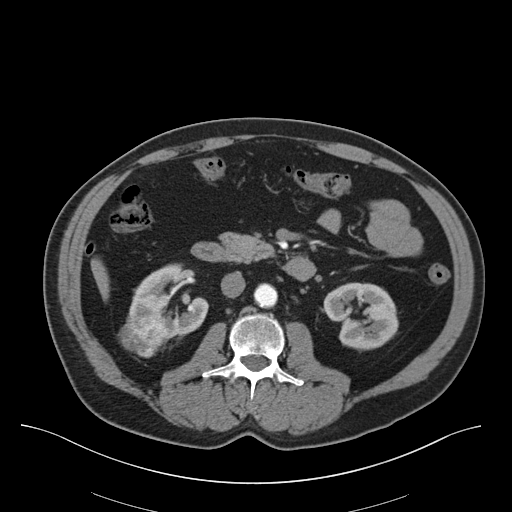
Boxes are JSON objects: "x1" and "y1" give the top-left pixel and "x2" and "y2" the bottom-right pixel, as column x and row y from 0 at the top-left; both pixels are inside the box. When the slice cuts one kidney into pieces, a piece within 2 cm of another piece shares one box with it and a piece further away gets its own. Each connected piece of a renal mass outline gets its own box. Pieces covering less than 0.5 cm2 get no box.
This is axial slice 27 of 75 (slice 1 is the lowest) of an abdominal CT with contrast; each pixel is 0.875 mm and the slice is 3.00 mm thick. Three boxes on this slice (two kidney boxes and one renal mass box), listed by box centre from the image's left to its right. (1) Right renal mass at {"x1": 118, "y1": 313, "x2": 171, "y2": 357} (outlined area 1,692 px, about 13.0 cm2). (2) Box {"x1": 128, "y1": 263, "x2": 209, "y2": 337}: right kidney (outlined area 3,322 px, about 25.4 cm2). (3) Left kidney at {"x1": 323, "y1": 282, "x2": 398, "y2": 351} (outlined area 3,707 px, about 28.4 cm2).
Acquired at 140 kVp and reconstructed with the B30f kernel.